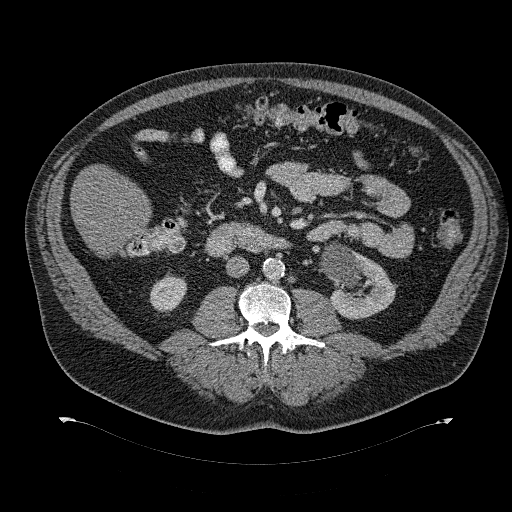
Abdominal CT with intravenous contrast, axial plane, 120 kVp, kernel B31f. Slice 164/274 from the bottom of the scan; thickness 2.00 mm; pixel size 0.977 mm.
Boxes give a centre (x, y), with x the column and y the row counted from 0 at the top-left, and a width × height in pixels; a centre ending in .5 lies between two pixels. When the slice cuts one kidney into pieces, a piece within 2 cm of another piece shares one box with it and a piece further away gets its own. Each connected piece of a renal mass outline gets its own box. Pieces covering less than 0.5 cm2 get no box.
Boxed on this slice (two kidney boxes), listed by box centre from the image's left to its right: (1) Box centre (168, 293), 39 × 43 pixels: right kidney (outlined area 1,077 px, about 10.3 cm2). (2) Left kidney in a box with centre (357.5, 280), 78 × 79 pixels (outlined area 3,808 px, about 36.3 cm2). No renal mass is outlined on this slice.